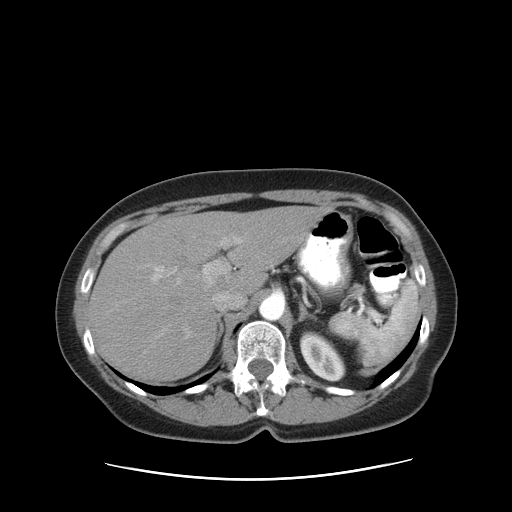
One axial slice (63 of 83, counting up from the lowest) of an arterial-phase abdominal CT acquired with 120 kVp, kernel STANDARD; each pixel is 0.775 mm and the slice is 5.00 mm thick.
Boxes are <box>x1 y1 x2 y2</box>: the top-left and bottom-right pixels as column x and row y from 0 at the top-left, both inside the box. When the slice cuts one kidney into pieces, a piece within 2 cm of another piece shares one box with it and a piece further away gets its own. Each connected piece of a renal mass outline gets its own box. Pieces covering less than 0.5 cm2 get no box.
Left kidney: <box>299 331 345 382</box> (outlined area 1,609 px, about 9.7 cm2). This slice carries no renal mass outline.